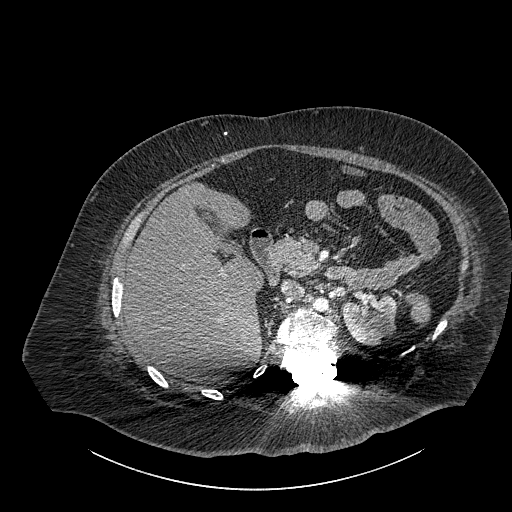
One axial slice (594 of 834, counting up from the lowest) of a contrast-enhanced abdominal CT acquired with 140 kVp, kernel I30f; each pixel is 0.977 mm and the slice is 1.00 mm thick.
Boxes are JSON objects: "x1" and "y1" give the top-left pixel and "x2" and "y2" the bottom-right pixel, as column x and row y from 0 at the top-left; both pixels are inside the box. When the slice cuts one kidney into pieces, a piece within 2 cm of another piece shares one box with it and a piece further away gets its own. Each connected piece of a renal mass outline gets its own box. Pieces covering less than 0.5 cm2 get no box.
Left part of the midline-crossing kidney at {"x1": 342, "y1": 293, "x2": 395, "y2": 344} (outlined area 2,187 px, about 20.9 cm2). No renal mass is outlined on this slice.